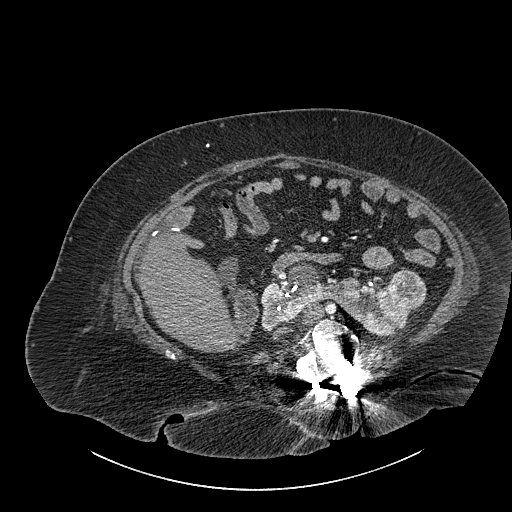
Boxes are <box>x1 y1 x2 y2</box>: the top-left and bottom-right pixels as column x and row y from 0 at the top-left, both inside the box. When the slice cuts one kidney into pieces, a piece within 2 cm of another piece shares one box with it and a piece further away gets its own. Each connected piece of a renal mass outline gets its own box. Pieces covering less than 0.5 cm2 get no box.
Slice 497/834 of a contrast-enhanced abdominal CT, counting up from the lowest; pixel size 0.977 mm, slice thickness 1.00 mm. Boxed on this slice (one kidney box and one renal mass box), listed by box centre from the image's left to its right: (1) At <box>260 262 419 336</box>: kidney crossing the body midline (outlined area 5,544 px, about 52.9 cm2). (2) Renal mass: <box>387 267 426 309</box> (outlined area 1,297 px, about 12.4 cm2).
Scan settings: 140 kVp, I30f reconstruction kernel.